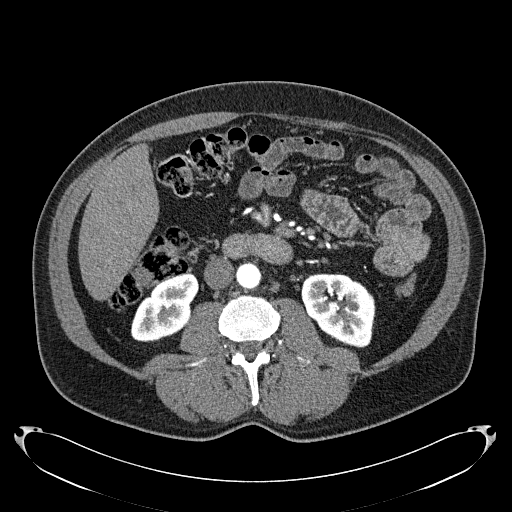
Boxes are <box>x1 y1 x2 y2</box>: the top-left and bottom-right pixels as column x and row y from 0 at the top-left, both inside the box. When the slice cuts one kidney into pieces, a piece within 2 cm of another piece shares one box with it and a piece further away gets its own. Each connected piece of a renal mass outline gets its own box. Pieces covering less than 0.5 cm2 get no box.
Slice 95/279 of a contrast-enhanced abdominal CT in the arterial phase, counting up from the lowest; pixel size 0.824 mm, slice thickness 2.00 mm. Boxed on this slice (two kidney boxes), listed by box centre from the image's left to its right: (1) Right kidney at <box>131 272 198 341</box> (outlined area 3,126 px, about 21.2 cm2). (2) Left kidney at <box>301 273 374 347</box> (outlined area 4,162 px, about 28.3 cm2). This slice carries no renal mass outline.
Scan settings: 120 kVp, B31f reconstruction kernel.